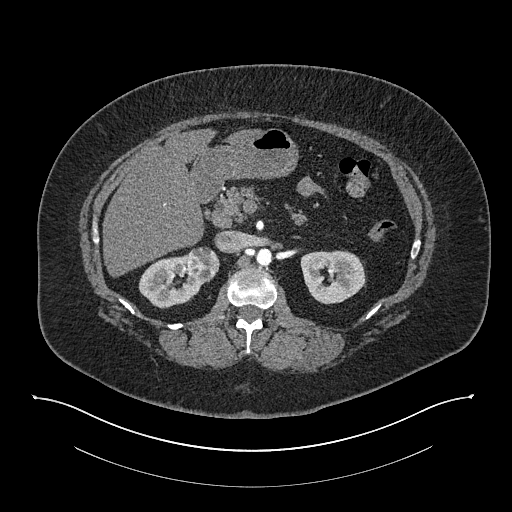
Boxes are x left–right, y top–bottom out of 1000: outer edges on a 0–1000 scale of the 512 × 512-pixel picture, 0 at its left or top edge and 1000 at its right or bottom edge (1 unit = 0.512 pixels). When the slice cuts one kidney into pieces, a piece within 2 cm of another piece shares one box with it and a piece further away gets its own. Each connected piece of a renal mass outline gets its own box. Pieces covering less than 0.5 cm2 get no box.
This is axial slice 511 of 673 (slice 1 is the lowest) of an arterial-phase abdominal CT with contrast; each pixel is 0.957 mm and the slice is 1.00 mm thick. Boxed on this slice (two kidney boxes and one renal mass box), listed by box centre from the image's left to its right: (1) Right kidney, box x 270–408, y 496–604 out of 1000 (outlined area 2,324 px, about 21.3 cm2). (2) Box x 365–430, y 482–551 out of 1000: right renal mass (outlined area 919 px, about 8.4 cm2). (3) Box x 586–715, y 488–596 out of 1000: left kidney (outlined area 2,771 px, about 25.4 cm2).
Tube voltage 140 kVp; convolution kernel I30f.